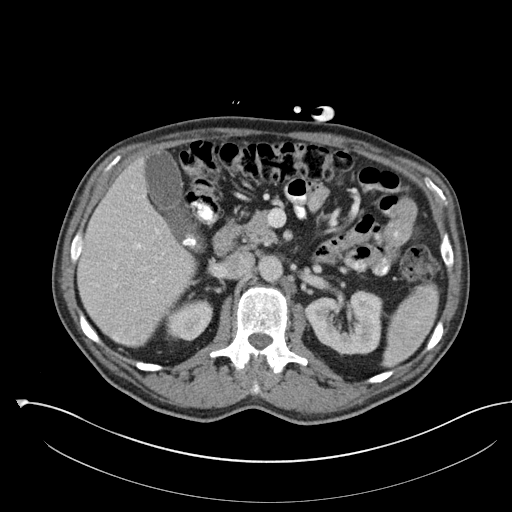
Abdominal CT with intravenous contrast, axial plane, 100 kVp, kernel I30f. Slice 71/142 from the bottom of the scan; thickness 5.00 mm; pixel size 0.855 mm.
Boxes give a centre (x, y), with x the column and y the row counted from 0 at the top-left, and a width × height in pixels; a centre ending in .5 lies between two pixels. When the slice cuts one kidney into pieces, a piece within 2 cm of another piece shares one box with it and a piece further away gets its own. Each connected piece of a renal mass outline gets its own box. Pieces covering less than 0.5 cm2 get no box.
Two boxes on this slice (two kidney boxes), listed by box centre from the image's left to its right. (1) Right kidney in a box with centre (189, 320), 49 × 43 pixels (outlined area 1,524 px, about 11.2 cm2). (2) Box centre (344.5, 322), 82 × 67 pixels: left kidney (outlined area 3,903 px, about 28.6 cm2). This slice carries no renal mass outline.